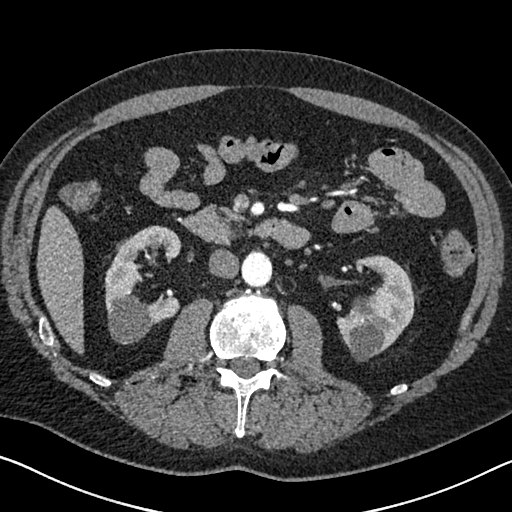
One axial slice (363 of 626, counting up from the lowest) of an arterial-phase abdominal CT acquired with 120 kVp, kernel I30f; each pixel is 0.703 mm and the slice is 1.00 mm thick.
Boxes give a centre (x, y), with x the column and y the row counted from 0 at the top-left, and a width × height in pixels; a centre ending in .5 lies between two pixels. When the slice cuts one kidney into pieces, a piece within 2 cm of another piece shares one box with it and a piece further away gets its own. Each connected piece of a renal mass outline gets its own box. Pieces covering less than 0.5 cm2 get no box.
Boxed on this slice (two kidney boxes), listed by box centre from the image's left to its right: (1) Box centre (142, 284.5), 77 × 120 pixels: right kidney (outlined area 5,446 px, about 26.9 cm2). (2) Left kidney, box centre (375, 308), 79 × 107 pixels (outlined area 5,031 px, about 24.9 cm2). No renal mass outline on this slice.